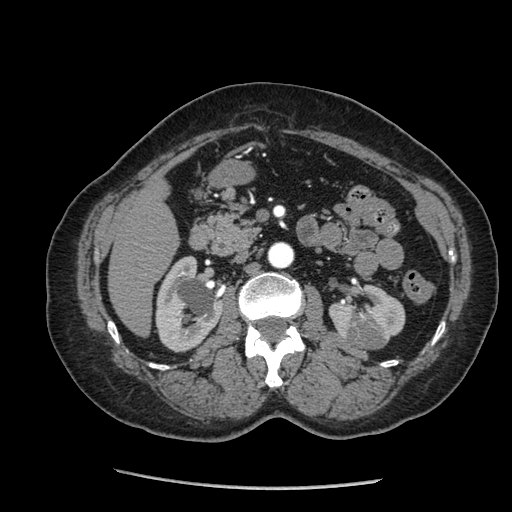
Abdominal CT with intravenous contrast, arterial phase, axial plane, 120 kVp, kernel STANDARD. Slice 125/233 from the bottom of the scan; thickness 1.25 mm; pixel size 0.703 mm.
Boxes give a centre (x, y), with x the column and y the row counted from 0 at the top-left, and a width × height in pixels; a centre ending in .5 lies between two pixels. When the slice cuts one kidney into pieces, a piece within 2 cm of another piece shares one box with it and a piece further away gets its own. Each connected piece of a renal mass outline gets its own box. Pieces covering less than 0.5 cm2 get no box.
Three boxes on this slice (two kidney boxes and one renal mass box), listed by box centre from the image's left to its right. (1) Right kidney in a box with centre (189, 304), 69 × 97 pixels (outlined area 4,716 px, about 23.3 cm2). (2) Left kidney, box centre (367, 314), 77 × 61 pixels (outlined area 2,397 px, about 11.9 cm2). (3) Left renal mass in a box with centre (369.5, 334.5), 46 × 32 pixels (outlined area 1,140 px, about 5.6 cm2).